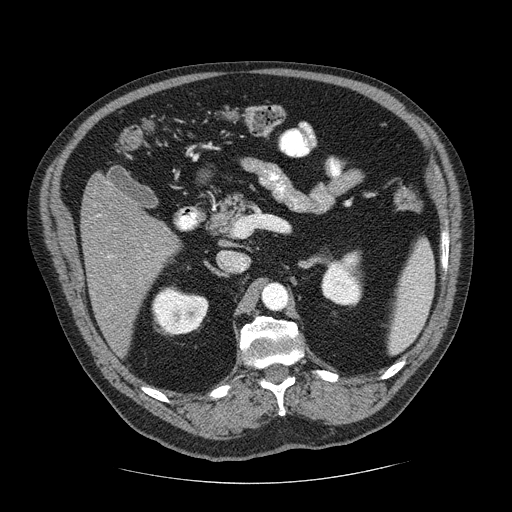
Axial slice 146 of 206 of a contrast-enhanced abdominal CT (slice 1 is the lowest), 120 kVp, kernel STANDARD; 2.50 mm slice thickness and 0.879 mm pixels.
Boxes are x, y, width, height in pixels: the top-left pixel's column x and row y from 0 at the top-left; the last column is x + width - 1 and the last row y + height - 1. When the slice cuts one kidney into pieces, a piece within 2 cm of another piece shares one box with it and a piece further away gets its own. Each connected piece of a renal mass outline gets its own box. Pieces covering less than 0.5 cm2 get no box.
Two boxes on this slice (two kidney boxes), listed by box centre from the image's left to its right. (1) Box x 151, y 286, width 58, height 50: right kidney (outlined area 2,140 px, about 16.5 cm2). (2) Left kidney at x 321, y 250, width 43, height 58 (outlined area 1,827 px, about 14.1 cm2). This slice carries no renal mass outline.